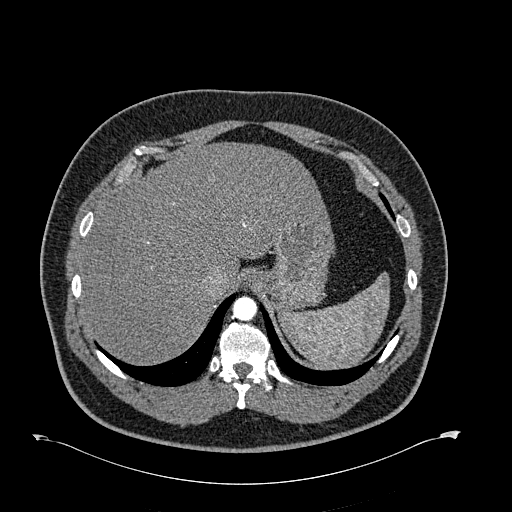
One axial slice (575 of 723, counting up from the lowest) of an arterial-phase abdominal CT acquired with 120 kVp, kernel B30f; each pixel is 0.895 mm and the slice is 1.00 mm thick.
Outside the outlined region: no kidney outline and no renal mass outline on this slice. The scan's outlines cover only kidneys and renal masses; no other organ is outlined.